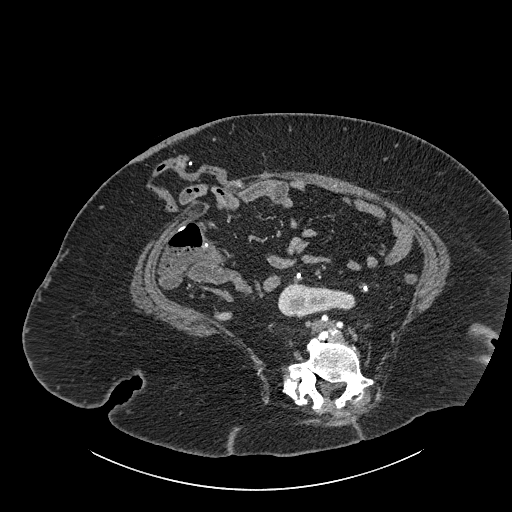
Contrast-enhanced abdominal CT, axial slice 403 of 834 (counted from the lowest slice); tube voltage 140 kVp, convolution kernel I30f; slices 1.00 mm thick, 0.977 mm per pixel.
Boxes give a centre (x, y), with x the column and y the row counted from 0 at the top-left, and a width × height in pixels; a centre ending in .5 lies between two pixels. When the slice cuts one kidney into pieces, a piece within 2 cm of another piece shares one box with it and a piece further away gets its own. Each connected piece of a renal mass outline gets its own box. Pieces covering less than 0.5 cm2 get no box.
Kidney crossing the body midline in a box with centre (316.5, 301), 78 × 35 pixels (outlined area 1,937 px, about 18.5 cm2). This slice carries no renal mass outline.